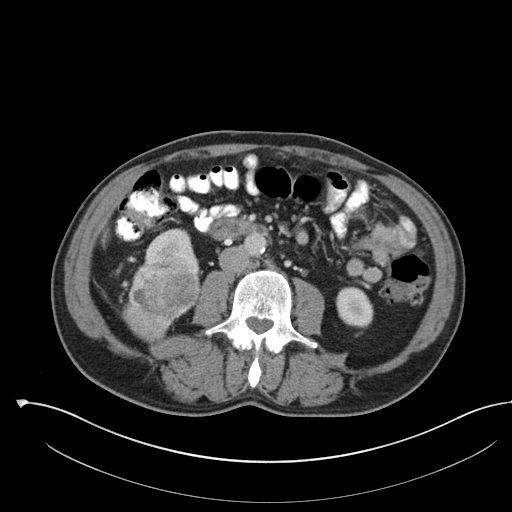
Axial slice 57 of 142 of a contrast-enhanced abdominal CT (slice 1 is the lowest), 100 kVp, kernel I30f; 5.00 mm slice thickness and 0.855 mm pixels.
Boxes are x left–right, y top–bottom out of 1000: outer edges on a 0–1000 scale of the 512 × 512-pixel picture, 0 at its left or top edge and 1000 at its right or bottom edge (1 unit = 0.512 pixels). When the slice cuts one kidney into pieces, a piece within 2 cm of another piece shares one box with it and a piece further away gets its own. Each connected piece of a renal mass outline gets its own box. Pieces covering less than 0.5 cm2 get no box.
Three boxes on this slice (two kidney boxes and one renal mass box), listed by box centre from the image's left to its right. (1) Right renal mass at x 236–393, y 502–672 out of 1000 (outlined area 4,667 px, about 34.2 cm2). (2) Right kidney at x 281–393, y 445–541 out of 1000 (outlined area 1,351 px, about 9.9 cm2). (3) Left kidney, box x 654–730, y 559–641 out of 1000 (outlined area 1,247 px, about 9.1 cm2).